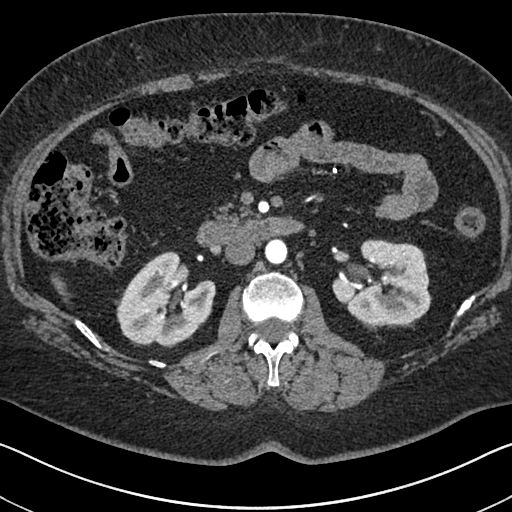
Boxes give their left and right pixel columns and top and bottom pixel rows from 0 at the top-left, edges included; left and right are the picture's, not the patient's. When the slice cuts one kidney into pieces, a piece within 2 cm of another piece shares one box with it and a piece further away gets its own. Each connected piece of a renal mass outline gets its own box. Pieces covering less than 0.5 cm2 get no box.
Slice 397/591 of a contrast-enhanced abdominal CT in the arterial phase, counting up from the lowest; pixel size 0.703 mm, slice thickness 1.00 mm. Boxed on this slice (two kidney boxes), listed by box centre from the image's left to its right: (1) Right kidney in the box with left 115, top 251, right 215, bottom 347 (outlined area 6,502 px, about 32.1 cm2). (2) Box with left 332, top 239, right 431, bottom 329: left kidney (outlined area 6,295 px, about 31.1 cm2). No renal mass outline on this slice.
Tube voltage 140 kVp; convolution kernel I30f.